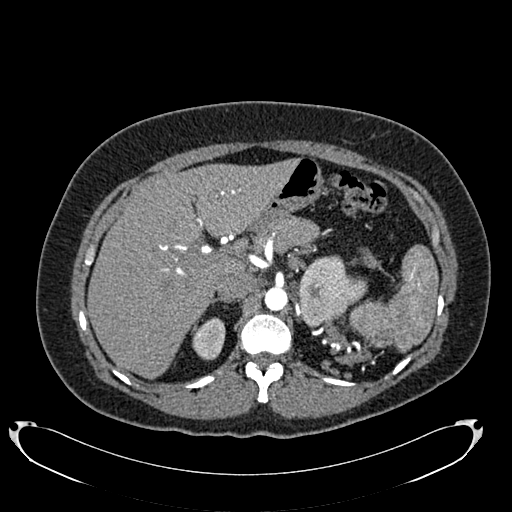
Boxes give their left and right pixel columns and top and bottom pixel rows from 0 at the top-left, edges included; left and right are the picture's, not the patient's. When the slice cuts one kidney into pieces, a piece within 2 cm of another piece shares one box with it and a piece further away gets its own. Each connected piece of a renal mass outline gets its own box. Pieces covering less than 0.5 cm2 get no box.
This is axial slice 528 of 634 (slice 1 is the lowest) of an arterial-phase abdominal CT with contrast; each pixel is 0.838 mm and the slice is 1.00 mm thick. Boxed on this slice (two kidney boxes), listed by box centre from the image's left to its right: (1) Right kidney in the box with left 192, top 317, right 225, bottom 360 (outlined area 1,083 px, about 7.6 cm2). (2) Box with left 299, top 255, right 367, bottom 327: left kidney (outlined area 3,358 px, about 23.6 cm2). No renal mass is outlined on this slice.
Tube voltage 120 kVp; convolution kernel B20f.